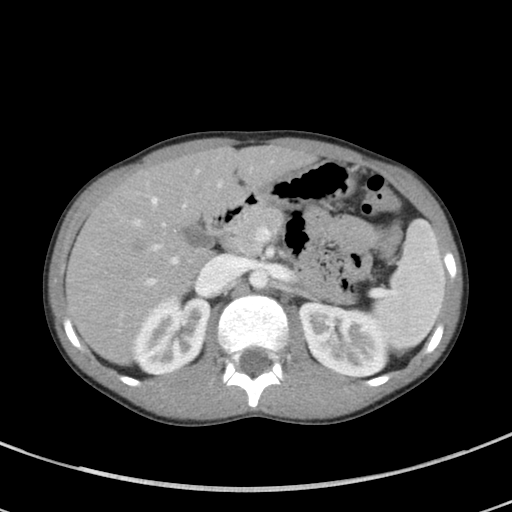
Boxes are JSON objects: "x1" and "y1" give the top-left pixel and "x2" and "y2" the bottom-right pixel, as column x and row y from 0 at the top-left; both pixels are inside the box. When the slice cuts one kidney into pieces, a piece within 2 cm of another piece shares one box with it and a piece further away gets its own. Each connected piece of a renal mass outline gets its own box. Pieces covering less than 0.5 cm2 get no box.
Slice 45/94 of a contrast-enhanced abdominal CT in the arterial phase, counting up from the lowest; pixel size 0.551 mm, slice thickness 5.00 mm. Boxed on this slice (two kidney boxes), listed by box centre from the image's left to its right: (1) Right kidney at {"x1": 132, "y1": 296, "x2": 211, "y2": 375} (outlined area 4,627 px, about 14.0 cm2). (2) Left kidney at {"x1": 300, "y1": 302, "x2": 389, "y2": 377} (outlined area 5,133 px, about 15.6 cm2). No renal mass is outlined on this slice.
Scan settings: 100 kVp, I41f reconstruction kernel.